One axial slice (134 of 470, counting up from the lowest) of an arterial-phase abdominal CT acquired with 120 kVp, kernel I26f; each pixel is 0.938 mm and the slice is 1.00 mm thick.
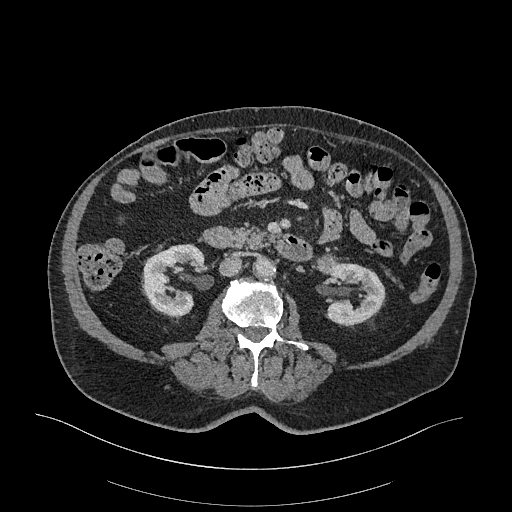
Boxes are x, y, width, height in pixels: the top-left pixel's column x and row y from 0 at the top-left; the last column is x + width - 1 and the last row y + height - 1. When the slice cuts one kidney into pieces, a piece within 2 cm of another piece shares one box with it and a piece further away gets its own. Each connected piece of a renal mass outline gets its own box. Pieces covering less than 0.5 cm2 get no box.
Three boxes on this slice (two kidney boxes and one renal mass box), listed by box centre from the image's left to its right. (1) Right kidney at x 142, y 243, width 64, height 77 (outlined area 3,181 px, about 28.0 cm2). (2) Box x 311, y 255, width 28, height 21: left renal mass (outlined area 388 px, about 3.4 cm2). (3) Left kidney at x 317, y 262, width 69, height 66 (outlined area 2,956 px, about 26.0 cm2).